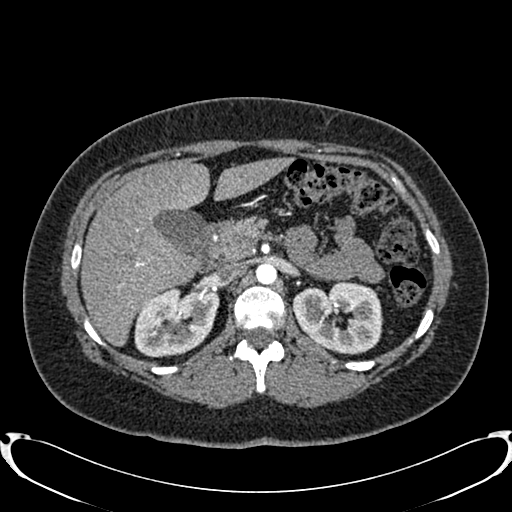
Axial slice 528 of 719 of a contrast-enhanced abdominal CT in the arterial phase (slice 1 is the lowest), 120 kVp, kernel B20f; 1.00 mm slice thickness and 0.766 mm pixels.
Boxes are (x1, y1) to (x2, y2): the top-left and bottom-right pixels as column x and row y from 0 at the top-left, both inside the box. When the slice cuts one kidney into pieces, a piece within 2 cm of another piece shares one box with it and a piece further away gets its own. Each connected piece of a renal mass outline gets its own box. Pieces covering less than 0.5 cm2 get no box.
Two kidney boxes on this slice; by box centre, from the image's left to its right: (1) Box (134, 286) to (218, 356): right kidney (outlined area 4,568 px, about 26.8 cm2). (2) Box (292, 281) to (383, 354): left kidney (outlined area 4,976 px, about 29.2 cm2). This slice carries no renal mass outline.